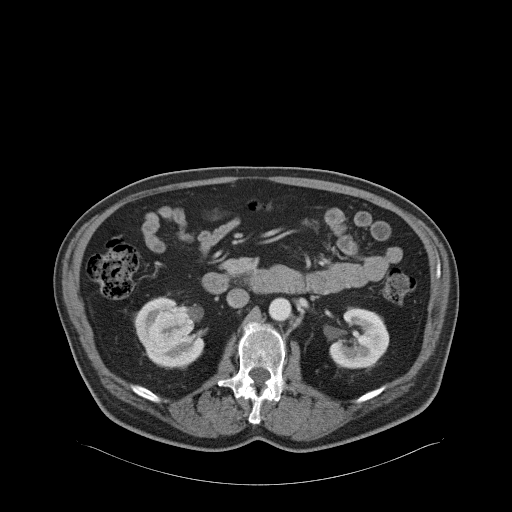
Axial slice 34 of 68 of a contrast-enhanced abdominal CT in the arterial phase (slice 1 is the lowest), 120 kVp, kernel B31f; 5.00 mm slice thickness and 0.961 mm pixels.
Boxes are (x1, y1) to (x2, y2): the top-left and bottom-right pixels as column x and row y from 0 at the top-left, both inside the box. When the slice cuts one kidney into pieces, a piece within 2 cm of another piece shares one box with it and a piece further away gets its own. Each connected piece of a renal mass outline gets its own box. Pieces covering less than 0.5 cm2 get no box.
Boxed on this slice (two kidney boxes and one renal mass box), listed by box centre from the image's left to its right: (1) Box (134, 296) to (204, 368): right kidney (outlined area 2,101 px, about 19.4 cm2). (2) Box (147, 304) to (203, 350): right renal mass (outlined area 1,740 px, about 16.1 cm2). (3) Left kidney from (329, 307) to (389, 368) (outlined area 2,718 px, about 25.1 cm2).